Abdominal CT with intravenous contrast, axial plane, 100 kVp, kernel I40f. Slice 304/470 from the bottom of the scan; thickness 2.00 mm; pixel size 0.824 mm.
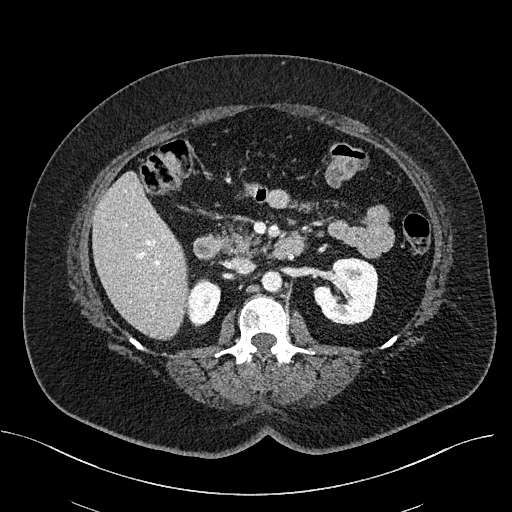
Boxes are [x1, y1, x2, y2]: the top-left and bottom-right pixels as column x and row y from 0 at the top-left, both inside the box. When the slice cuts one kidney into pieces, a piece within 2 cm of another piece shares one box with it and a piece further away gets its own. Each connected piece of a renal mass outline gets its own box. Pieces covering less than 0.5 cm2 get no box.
Boxed on this slice (two kidney boxes), listed by box centre from the image's left to its right: (1) Right kidney at [184, 278, 220, 324] (outlined area 1,289 px, about 8.8 cm2). (2) Box [313, 257, 378, 324]: left kidney (outlined area 3,346 px, about 22.7 cm2). This slice carries no renal mass outline.